One axial slice (282 of 620, counting up from the lowest) of an arterial-phase abdominal CT acquired with 120 kVp, kernel B31f; each pixel is 0.637 mm and the slice is 2.00 mm thick.
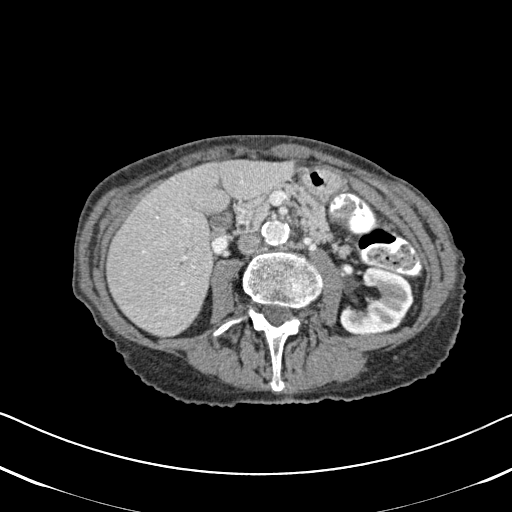
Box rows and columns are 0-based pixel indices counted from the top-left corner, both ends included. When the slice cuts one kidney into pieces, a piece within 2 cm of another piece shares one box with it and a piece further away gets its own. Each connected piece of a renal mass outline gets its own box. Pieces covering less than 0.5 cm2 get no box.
Left kidney, box rows 266–335, columns 340–413 (outlined area 3,354 px, about 13.6 cm2). This slice carries no renal mass outline.